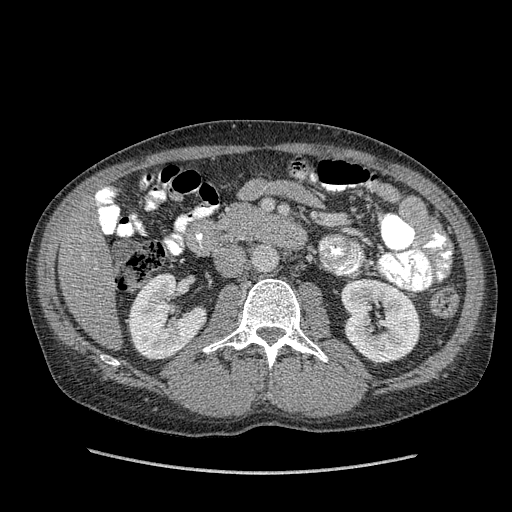
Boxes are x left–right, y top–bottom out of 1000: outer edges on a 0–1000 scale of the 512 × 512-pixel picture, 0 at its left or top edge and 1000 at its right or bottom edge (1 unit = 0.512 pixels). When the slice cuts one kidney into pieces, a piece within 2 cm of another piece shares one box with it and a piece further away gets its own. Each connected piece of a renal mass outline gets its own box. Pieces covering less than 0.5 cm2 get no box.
This is axial slice 200 of 349 (slice 1 is the lowest) of an arterial-phase abdominal CT with contrast; each pixel is 0.742 mm and the slice is 1.25 mm thick. Boxed on this slice (two kidney boxes), listed by box centre from the image's left to its right: (1) Right kidney, box x 248–404, y 531–703 out of 1000 (outlined area 4,658 px, about 25.7 cm2). (2) Box x 664–822, y 543–711 out of 1000: left kidney (outlined area 5,249 px, about 28.9 cm2). This slice carries no renal mass outline.
Tube voltage 120 kVp; convolution kernel STANDARD.